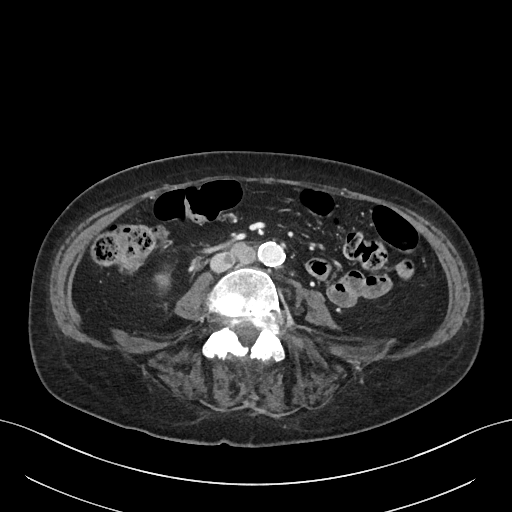
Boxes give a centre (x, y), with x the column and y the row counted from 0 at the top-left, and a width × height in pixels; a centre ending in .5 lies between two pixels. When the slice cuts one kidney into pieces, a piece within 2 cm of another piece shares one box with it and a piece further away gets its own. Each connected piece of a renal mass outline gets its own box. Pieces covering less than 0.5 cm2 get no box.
Contrast-enhanced abdominal CT, axial slice 16 of 76 (counted from the lowest slice); 3.00 mm thick, 0.768 mm per pixel. Box centre (161.5, 281), 18 × 21 pixels: right kidney (outlined area 260 px, about 1.5 cm2). This slice carries no renal mass outline.
Tube voltage 100 kVp; convolution kernel I40f.